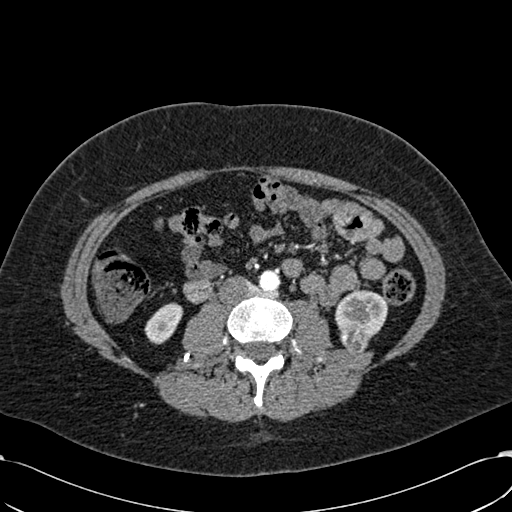
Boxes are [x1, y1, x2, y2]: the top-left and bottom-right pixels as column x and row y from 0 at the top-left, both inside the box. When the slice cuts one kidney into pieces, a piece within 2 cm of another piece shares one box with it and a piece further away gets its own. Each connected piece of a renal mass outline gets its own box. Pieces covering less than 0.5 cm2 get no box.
Arterial-phase contrast-enhanced abdominal CT, axial slice 275 of 532 (counted from the lowest slice); 1.00 mm thick, 0.713 mm per pixel. Three boxes on this slice (two kidney boxes and one renal mass box), listed by box centre from the image's left to its right. (1) Right kidney at [144, 302, 183, 344] (outlined area 1,076 px, about 5.5 cm2). (2) Box [340, 324, 370, 357]: left renal mass (outlined area 730 px, about 3.7 cm2). (3) Left kidney, box [335, 290, 389, 337] (outlined area 1,772 px, about 9.0 cm2).
Tube voltage 120 kVp; convolution kernel B30f.